Contrast-enhanced abdominal CT, axial slice 120 of 178 (counted from the lowest slice); tube voltage 120 kVp, convolution kernel B; slices 3.00 mm thick, 0.818 mm per pixel.
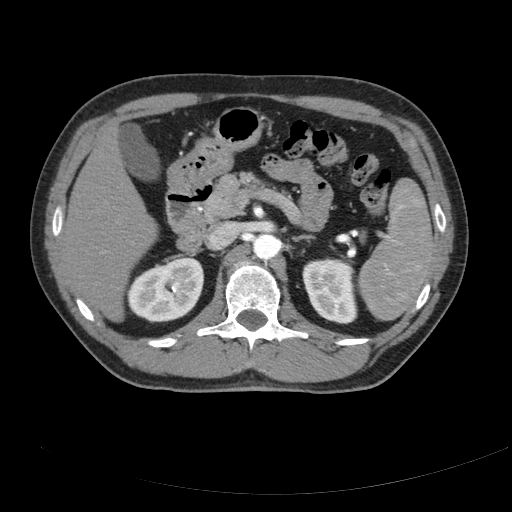
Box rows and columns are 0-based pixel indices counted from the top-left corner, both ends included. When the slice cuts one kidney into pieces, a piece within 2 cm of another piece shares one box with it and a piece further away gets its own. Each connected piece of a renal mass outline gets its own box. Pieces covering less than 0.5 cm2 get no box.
Two kidney boxes on this slice; by box centre, from the image's left to its right: (1) Right kidney at rows 257–322, columns 126–204 (outlined area 3,803 px, about 25.5 cm2). (2) Box rows 257–324, columns 302–357: left kidney (outlined area 2,922 px, about 19.6 cm2). This slice carries no renal mass outline.